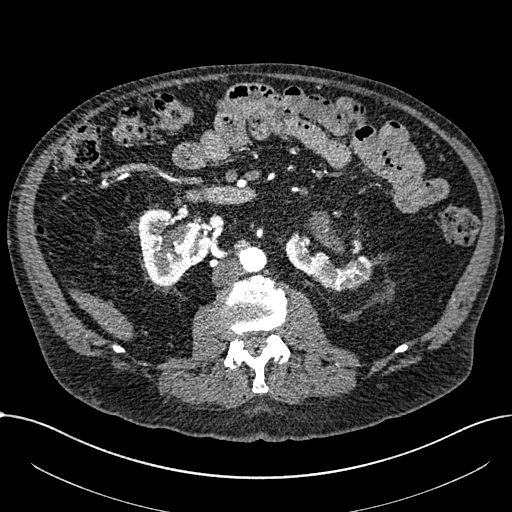
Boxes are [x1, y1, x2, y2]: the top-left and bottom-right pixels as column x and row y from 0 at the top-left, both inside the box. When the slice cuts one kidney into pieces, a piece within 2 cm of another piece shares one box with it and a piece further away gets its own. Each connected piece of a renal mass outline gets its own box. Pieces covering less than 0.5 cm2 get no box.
This is axial slice 350 of 1059 (slice 1 is the lowest) of an arterial-phase abdominal CT with contrast; each pixel is 0.811 mm and the slice is 1.00 mm thick. Two boxes on this slice (two kidney boxes), listed by box centre from the image's left to its right. (1) Right part of the midline-crossing kidney, box [138, 209, 209, 286] (outlined area 3,856 px, about 25.3 cm2). (2) Left part of the midline-crossing kidney, box [284, 231, 373, 291] (outlined area 2,865 px, about 18.8 cm2). This slice carries no renal mass outline.
Acquired at 100 kVp and reconstructed with the I30f kernel.